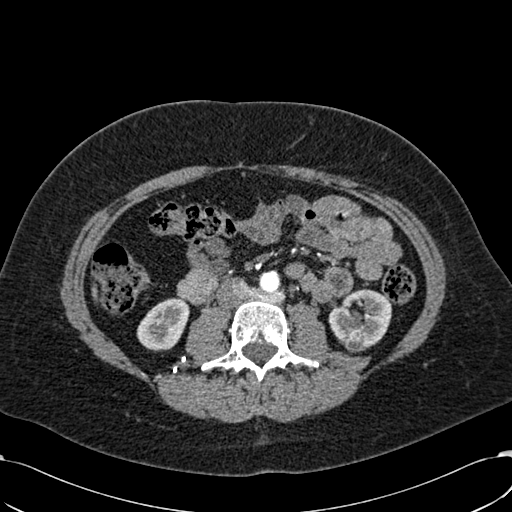
Axial slice 291 of 532 of a contrast-enhanced abdominal CT in the arterial phase (slice 1 is the lowest), 120 kVp, kernel B30f; 1.00 mm slice thickness and 0.713 mm pixels.
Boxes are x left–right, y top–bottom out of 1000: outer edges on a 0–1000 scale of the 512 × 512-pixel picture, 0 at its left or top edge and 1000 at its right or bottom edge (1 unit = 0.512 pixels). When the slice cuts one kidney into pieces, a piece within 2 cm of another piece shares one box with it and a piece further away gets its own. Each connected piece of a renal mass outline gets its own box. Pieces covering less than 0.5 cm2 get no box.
Three boxes on this slice (two kidney boxes and one renal mass box), listed by box centre from the image's left to its right. (1) Box x 266–371, y 580–688 out of 1000: right kidney (outlined area 2,051 px, about 10.4 cm2). (2) Left renal mass, box x 672–715, y 660–689 out of 1000 (outlined area 262 px, about 1.3 cm2). (3) Box x 641–766, y 564–682 out of 1000: left kidney (outlined area 2,642 px, about 13.4 cm2).